Axial slice 105 of 302 of a contrast-enhanced abdominal CT in the arterial phase (slice 1 is the lowest), 100 kVp, kernel I30f; 5.00 mm slice thickness and 0.875 mm pixels.
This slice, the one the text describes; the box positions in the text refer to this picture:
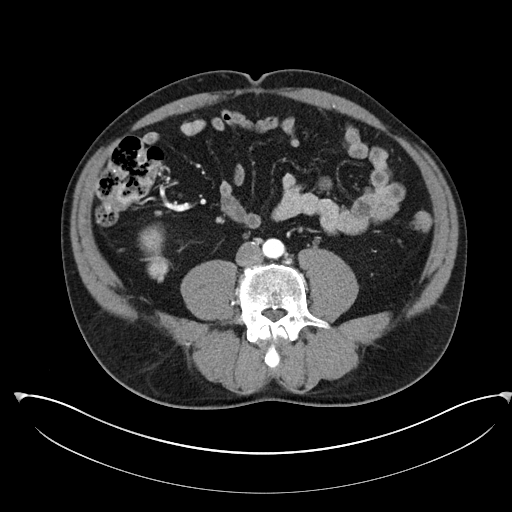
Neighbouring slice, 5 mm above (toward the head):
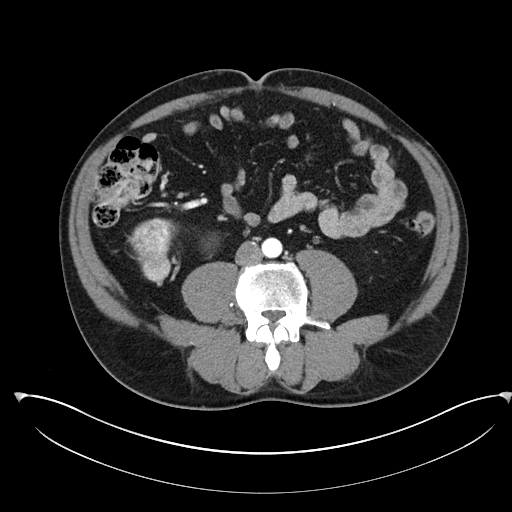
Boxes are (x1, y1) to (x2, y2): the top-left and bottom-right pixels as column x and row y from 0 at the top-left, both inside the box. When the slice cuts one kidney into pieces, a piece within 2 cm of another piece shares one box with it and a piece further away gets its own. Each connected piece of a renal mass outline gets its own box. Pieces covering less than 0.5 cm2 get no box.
Box (138, 224) to (168, 282): right renal mass (outlined area 1,130 px, about 8.7 cm2); this slice has no kidney outline, though on another slice the same outlined renal mass lies within 1 cm of the kidney. This slice is near the end of the right renal mass toward the feet, so the slice 5 mm above it is shown as well; the boxes refer to this slice only.